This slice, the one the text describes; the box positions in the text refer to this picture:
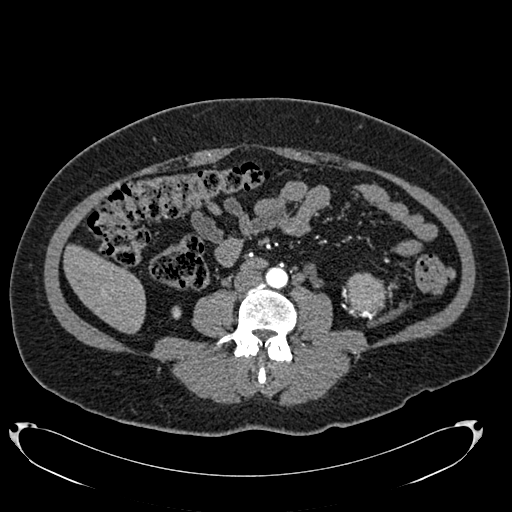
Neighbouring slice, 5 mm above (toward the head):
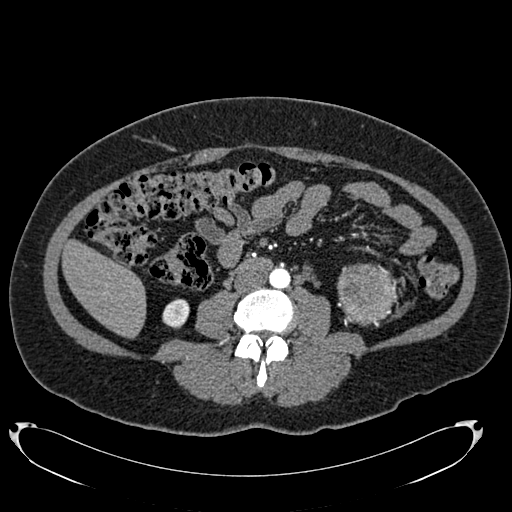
One axial slice (313 of 634, counting up from the lowest) of an arterial-phase abdominal CT acquired with 120 kVp, kernel B20f; each pixel is 0.838 mm and the slice is 1.00 mm thick.
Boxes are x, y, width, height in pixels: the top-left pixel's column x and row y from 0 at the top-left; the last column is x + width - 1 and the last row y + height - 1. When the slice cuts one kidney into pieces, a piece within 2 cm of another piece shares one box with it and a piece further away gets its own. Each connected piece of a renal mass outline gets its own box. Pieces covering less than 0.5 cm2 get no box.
One kidney box and one renal mass box on this slice; by box centre, from the image's left to its right: (1) Box x 171, y 306, width 11, height 14: right kidney (outlined area 110 px, about 0.8 cm2). (2) Box x 345, y 272, width 43, height 42: left renal mass (outlined area 1,340 px, about 9.4 cm2); on this slice it lies more than 1 cm from any kidney outline, but the same outlined renal mass comes within 1 cm of the kidney on another slice. This slice is near the end of the left renal mass toward the feet, so the slice 5 mm above it is shown as well; the boxes refer to this slice only.